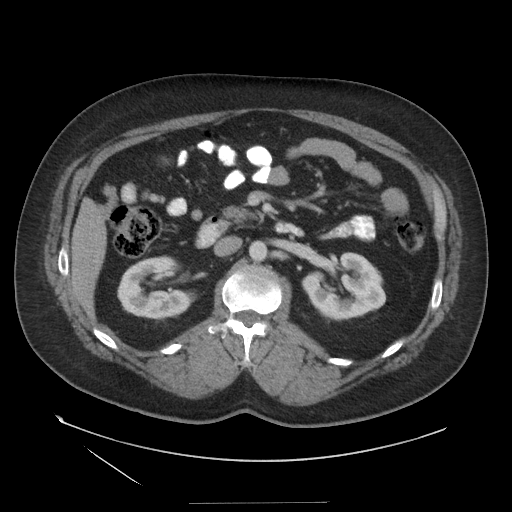
One axial slice (81 of 129, counting up from the lowest) of an arterial-phase abdominal CT acquired with 140 kVp, kernel STANDARD; each pixel is 0.938 mm and the slice is 3.75 mm thick.
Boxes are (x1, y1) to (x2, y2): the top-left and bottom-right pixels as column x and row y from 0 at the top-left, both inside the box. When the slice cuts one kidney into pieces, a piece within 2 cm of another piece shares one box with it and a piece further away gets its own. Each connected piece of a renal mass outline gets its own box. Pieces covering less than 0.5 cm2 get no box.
Boxed on this slice (two kidney boxes), listed by box centre from the image's left to its right: (1) Right kidney from (117, 255) to (189, 321) (outlined area 3,523 px, about 31.0 cm2). (2) Left kidney from (302, 252) to (386, 321) (outlined area 4,089 px, about 35.9 cm2). This slice carries no renal mass outline.